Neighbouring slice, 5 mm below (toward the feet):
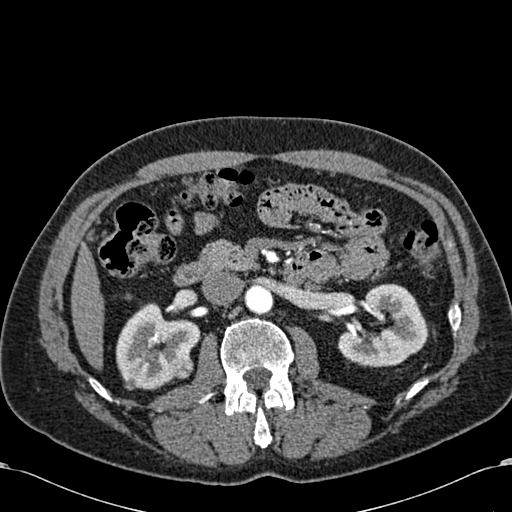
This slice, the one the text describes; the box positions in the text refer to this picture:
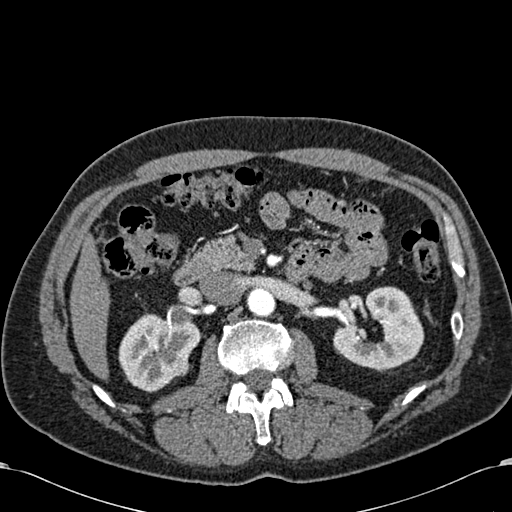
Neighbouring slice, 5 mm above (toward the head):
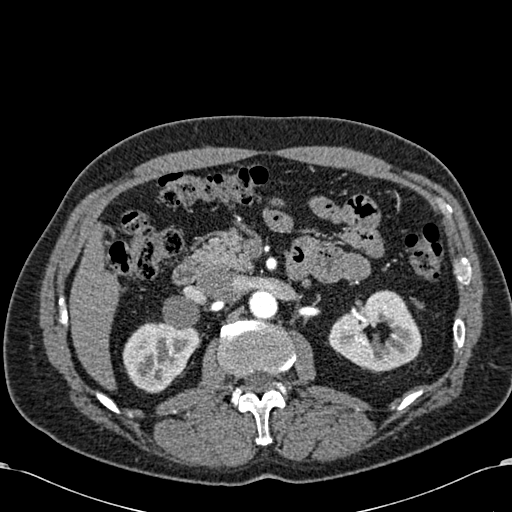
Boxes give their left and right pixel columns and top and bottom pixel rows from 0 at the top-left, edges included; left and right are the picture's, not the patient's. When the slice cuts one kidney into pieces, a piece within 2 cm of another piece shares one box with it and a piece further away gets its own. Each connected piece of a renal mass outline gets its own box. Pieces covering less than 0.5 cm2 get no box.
Slice 369/581 of a contrast-enhanced abdominal CT in the arterial phase, counting up from the lowest; pixel size 0.713 mm, slice thickness 1.00 mm. Two kidney boxes and one renal mass box on this slice; by box centre, from the image's left to its right: (1) Right kidney, the box with left 118, top 313, right 201, bottom 392 (outlined area 4,393 px, about 22.3 cm2). (2) Right renal mass, the box with left 176, top 360, right 189, bottom 375 (outlined area 194 px, about 1.0 cm2). (3) Left kidney in the box with left 333, top 286, right 424, bottom 370 (outlined area 5,116 px, about 26.0 cm2). This slice is near the end of the right renal mass toward the head, so the slices 5 mm below and 5 mm above it are shown as well; the boxes refer to this slice only.
Acquired at 120 kVp and reconstructed with the B30f kernel.